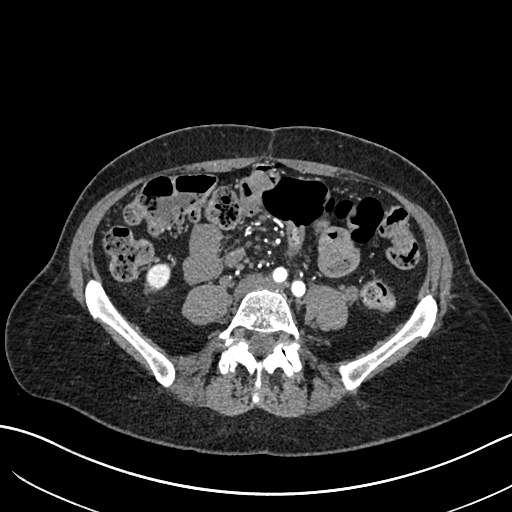
Abdominal CT with intravenous contrast, arterial phase, axial plane, 120 kVp, kernel I30f. Slice 243/683 from the bottom of the scan; thickness 1.00 mm; pixel size 0.738 mm.
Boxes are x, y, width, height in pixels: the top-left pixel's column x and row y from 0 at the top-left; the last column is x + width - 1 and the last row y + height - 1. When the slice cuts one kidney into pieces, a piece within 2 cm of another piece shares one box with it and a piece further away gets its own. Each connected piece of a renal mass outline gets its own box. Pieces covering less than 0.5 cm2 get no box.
Right kidney at x 146, y 263, width 26, height 29 (outlined area 567 px, about 3.1 cm2). This slice carries no renal mass outline.